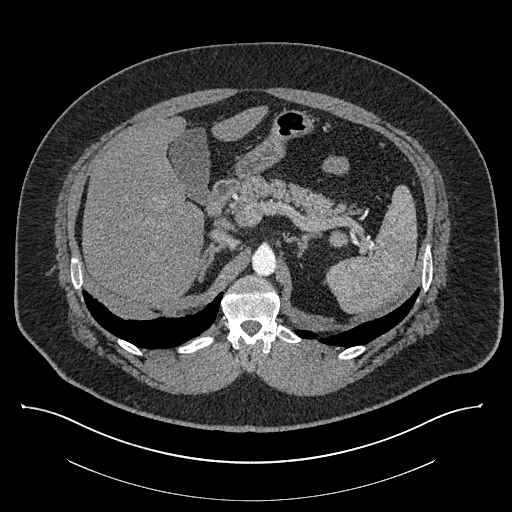
One axial slice (585 of 787, counting up from the lowest) of a contrast-enhanced abdominal CT acquired with 140 kVp, kernel I30f; each pixel is 0.910 mm and the slice is 1.00 mm thick.
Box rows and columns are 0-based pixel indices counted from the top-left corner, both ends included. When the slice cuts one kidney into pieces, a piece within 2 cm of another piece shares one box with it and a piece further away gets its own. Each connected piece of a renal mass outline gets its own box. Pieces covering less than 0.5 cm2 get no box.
Left renal mass, box rows 229–247, columns 328–349 (outlined area 277 px, about 2.3 cm2); no kidney is outlined on this slice, but the same outlined renal mass comes within 1 cm of the kidney on another slice.